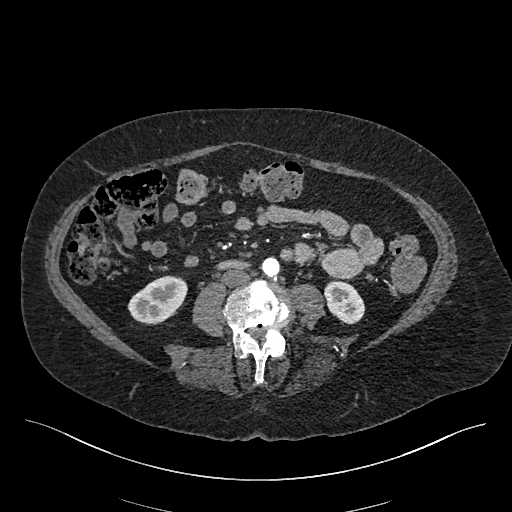
Abdominal CT with intravenous contrast, arterial phase, axial plane, 120 kVp, kernel I26f. Slice 167/548 from the bottom of the scan; thickness 1.00 mm; pixel size 0.852 mm.
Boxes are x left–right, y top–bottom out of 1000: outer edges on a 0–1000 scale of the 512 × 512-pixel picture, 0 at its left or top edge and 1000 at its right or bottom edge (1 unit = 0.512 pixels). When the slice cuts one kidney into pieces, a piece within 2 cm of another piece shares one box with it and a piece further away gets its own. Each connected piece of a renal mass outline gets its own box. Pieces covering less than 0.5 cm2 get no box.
Two kidney boxes on this slice; by box centre, from the image's left to its right: (1) Box x 248–367, y 537–635 out of 1000: right kidney (outlined area 2,050 px, about 14.9 cm2). (2) Left kidney, box x 633–715, y 545–635 out of 1000 (outlined area 1,338 px, about 9.7 cm2). No renal mass outline on this slice.